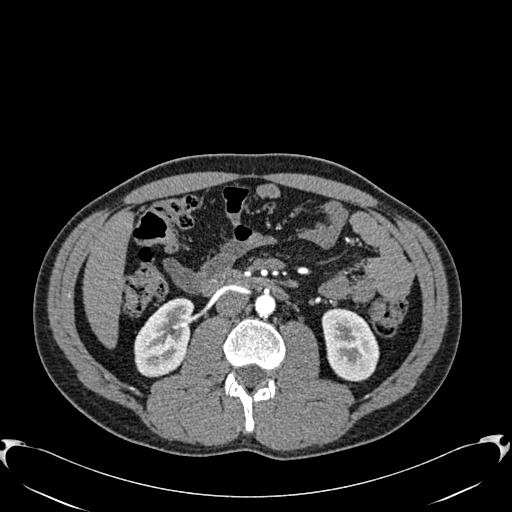
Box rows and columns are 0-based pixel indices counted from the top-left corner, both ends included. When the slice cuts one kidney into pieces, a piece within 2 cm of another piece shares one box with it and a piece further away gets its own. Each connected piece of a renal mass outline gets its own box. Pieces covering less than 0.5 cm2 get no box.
Arterial-phase contrast-enhanced abdominal CT, axial slice 310 of 512 (counted from the lowest slice); 1.00 mm thick, 0.771 mm per pixel. Boxed on this slice (two kidney boxes), listed by box centre from the image's left to its right: (1) Right kidney at rows 298–377, columns 134–193 (outlined area 3,451 px, about 20.5 cm2). (2) Left kidney, box rows 308–381, columns 321–379 (outlined area 3,252 px, about 19.4 cm2). No renal mass outline on this slice.
Tube voltage 120 kVp; convolution kernel B30f.